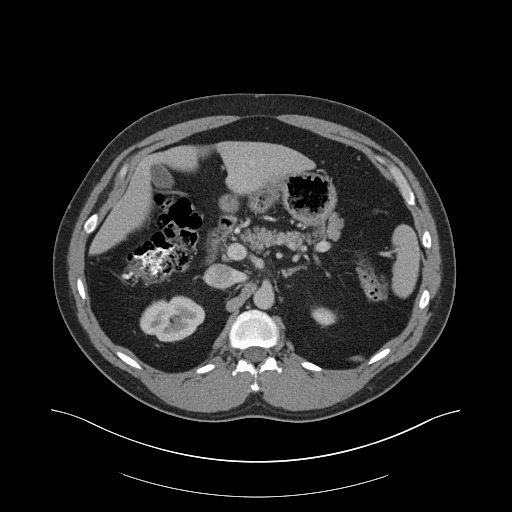
Abdominal CT with intravenous contrast, arterial phase, axial plane, 140 kVp, kernel B30f. Slice 122/159 from the bottom of the scan; thickness 3.00 mm; pixel size 0.977 mm.
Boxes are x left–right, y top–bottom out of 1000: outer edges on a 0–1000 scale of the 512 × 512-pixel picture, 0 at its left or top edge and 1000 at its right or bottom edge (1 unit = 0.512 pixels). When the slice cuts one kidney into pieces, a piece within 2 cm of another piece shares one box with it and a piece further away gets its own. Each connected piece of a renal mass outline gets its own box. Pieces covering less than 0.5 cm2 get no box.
Two boxes on this slice (two kidney boxes), listed by box centre from the image's left to its right. (1) Right kidney at x 271–402, y 576–668 out of 1000 (outlined area 2,238 px, about 21.3 cm2). (2) Left kidney at x 607–658, y 600–639 out of 1000 (outlined area 372 px, about 3.5 cm2). No renal mass outline on this slice.